Axial slice 113 of 269 of a contrast-enhanced abdominal CT (slice 1 is the lowest), 100 kVp, kernel I30f; 5.00 mm slice thickness and 0.732 mm pixels.
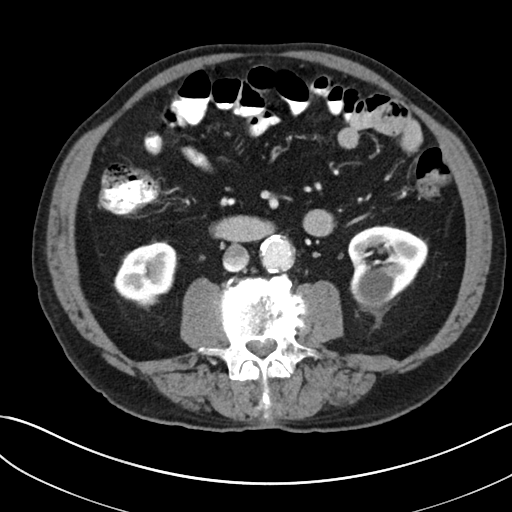
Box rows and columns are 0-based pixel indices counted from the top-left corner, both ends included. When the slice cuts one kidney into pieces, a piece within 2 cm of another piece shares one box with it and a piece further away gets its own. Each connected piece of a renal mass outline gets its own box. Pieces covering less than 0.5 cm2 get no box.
Two kidney boxes on this slice; by box centre, from the image's left to its right: (1) Right kidney, box rows 240–309, columns 113–177 (outlined area 3,115 px, about 16.7 cm2). (2) Left kidney at rows 225–309, columns 348–428 (outlined area 4,916 px, about 26.4 cm2). This slice carries no renal mass outline.